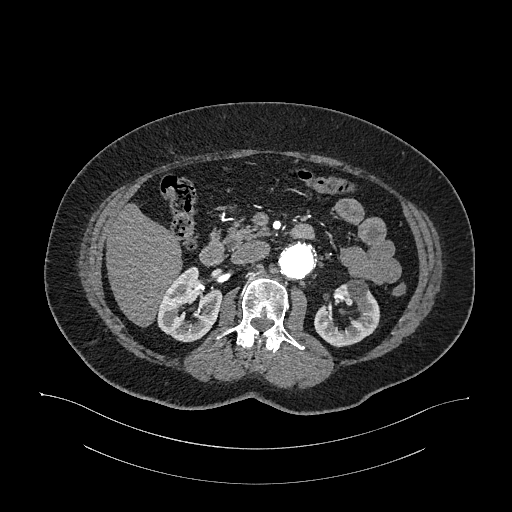
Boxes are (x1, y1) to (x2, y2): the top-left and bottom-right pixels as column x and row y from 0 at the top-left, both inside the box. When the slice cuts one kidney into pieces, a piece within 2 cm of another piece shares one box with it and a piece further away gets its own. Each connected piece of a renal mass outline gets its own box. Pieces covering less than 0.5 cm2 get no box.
This is axial slice 658 of 987 (slice 1 is the lowest) of an arterial-phase abdominal CT with contrast; each pixel is 0.977 mm and the slice is 1.00 mm thick. Two kidney boxes on this slice; by box centre, from the image's left to its right: (1) Right kidney, box (156, 266) to (221, 342) (outlined area 3,295 px, about 31.4 cm2). (2) Left kidney, box (314, 279) to (380, 347) (outlined area 2,755 px, about 26.3 cm2). This slice carries no renal mass outline.
Scan settings: 120 kVp, I26f reconstruction kernel.